Abdominal CT with intravenous contrast, arterial phase, axial plane, 120 kVp, kernel B30f. Slice 465/723 from the bottom of the scan; thickness 1.00 mm; pixel size 0.895 mm.
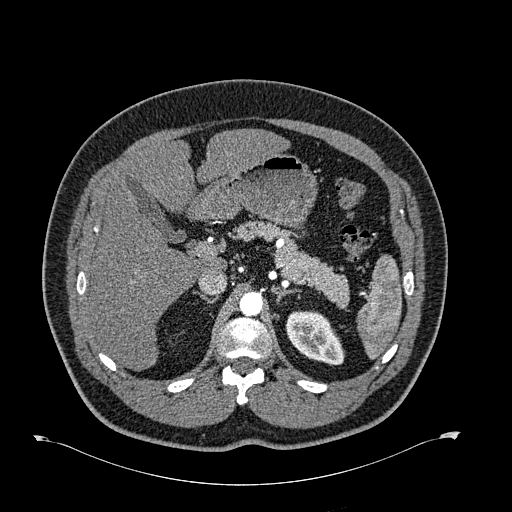
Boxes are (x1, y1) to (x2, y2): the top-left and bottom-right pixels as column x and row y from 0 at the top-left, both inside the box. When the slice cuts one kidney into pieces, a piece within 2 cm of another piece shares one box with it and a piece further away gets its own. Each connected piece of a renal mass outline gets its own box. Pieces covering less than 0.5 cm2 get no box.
Left kidney, box (285, 311) to (344, 365) (outlined area 2,280 px, about 18.2 cm2). No renal mass outline on this slice.